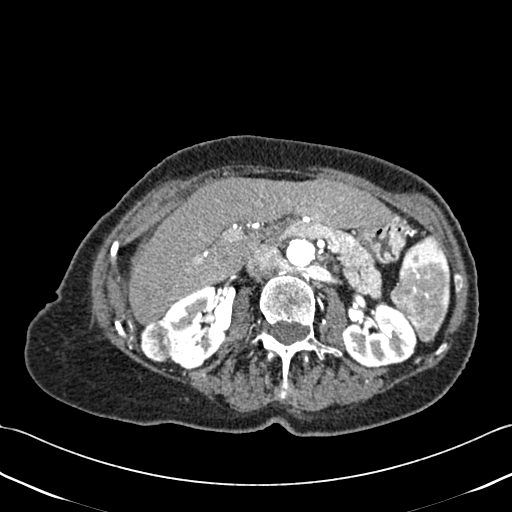
Axial slice 254 of 433 of a contrast-enhanced abdominal CT (slice 1 is the lowest), 120 kVp, kernel B30f; 1.00 mm slice thickness and 0.672 mm pixels.
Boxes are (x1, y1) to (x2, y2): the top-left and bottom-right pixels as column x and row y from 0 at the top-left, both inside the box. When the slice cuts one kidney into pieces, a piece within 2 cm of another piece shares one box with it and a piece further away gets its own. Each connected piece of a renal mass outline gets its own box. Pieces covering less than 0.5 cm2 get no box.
Boxed on this slice (two kidney boxes and one renal mass box), listed by box centre from the image's left to its right: (1) Box (140, 319) to (174, 362): right renal mass (outlined area 1,225 px, about 5.5 cm2). (2) Box (160, 286) to (227, 370): right kidney (outlined area 3,646 px, about 16.5 cm2). (3) Box (343, 304) to (417, 367): left kidney (outlined area 3,544 px, about 16.0 cm2).